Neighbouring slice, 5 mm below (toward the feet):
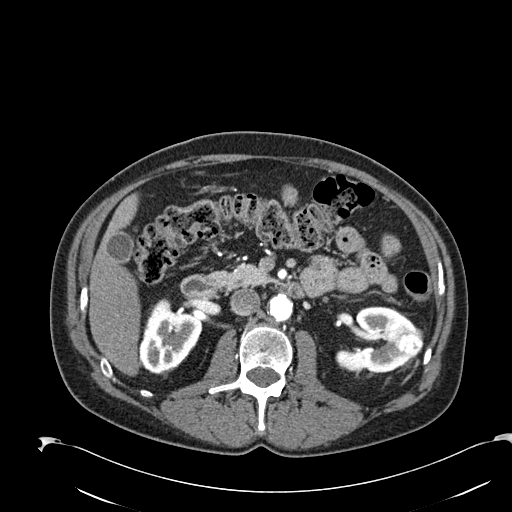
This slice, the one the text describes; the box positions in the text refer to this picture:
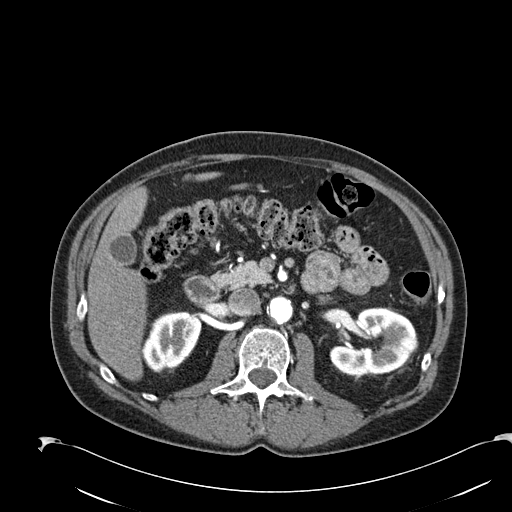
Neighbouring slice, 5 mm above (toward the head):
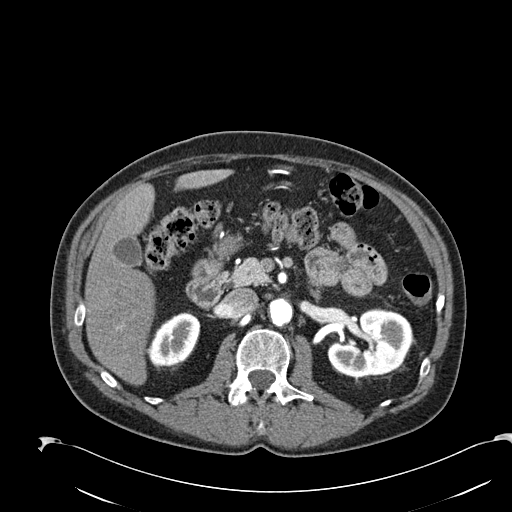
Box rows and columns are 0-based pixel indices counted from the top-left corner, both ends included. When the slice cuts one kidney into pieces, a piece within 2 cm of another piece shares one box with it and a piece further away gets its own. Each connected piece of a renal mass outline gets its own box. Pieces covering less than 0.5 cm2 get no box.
Slice 123/274 of a contrast-enhanced abdominal CT in the arterial phase, counting up from the lowest; pixel size 0.809 mm, slice thickness 2.00 mm. Boxed on this slice (two kidney boxes and one renal mass box), listed by box centre from the image's left to its right: (1) Right kidney at rows 311–372, columns 142–201 (outlined area 2,673 px, about 17.5 cm2). (2) Box rows 307–375, columns 329–416: left kidney (outlined area 4,156 px, about 27.2 cm2). (3) Box rows 338–348, columns 404–416: left renal mass (outlined area 110 px, about 0.7 cm2). This slice lies near the end of the left renal mass toward the head; the slices 5 mm below and 5 mm above it are shown too, and the boxes mark positions on this slice only.
Tube voltage 120 kVp; convolution kernel B30f.